Arterial-phase contrast-enhanced abdominal CT, axial slice 127 of 207 (counted from the lowest slice); tube voltage 120 kVp, convolution kernel FC18; slices 2.00 mm thick, 0.741 mm per pixel.
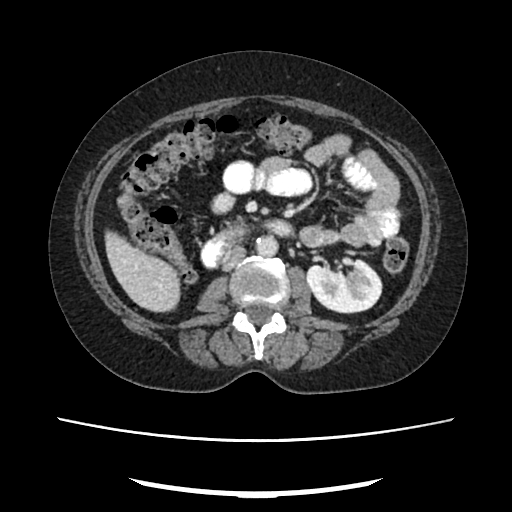
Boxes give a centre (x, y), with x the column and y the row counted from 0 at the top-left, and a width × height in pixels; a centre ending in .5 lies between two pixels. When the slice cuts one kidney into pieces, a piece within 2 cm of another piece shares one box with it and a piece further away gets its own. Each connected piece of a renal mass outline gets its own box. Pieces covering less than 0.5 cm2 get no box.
Left kidney in a box with centre (343.5, 285.5), 78 × 56 pixels (outlined area 3,302 px, about 18.1 cm2). No renal mass outline on this slice.